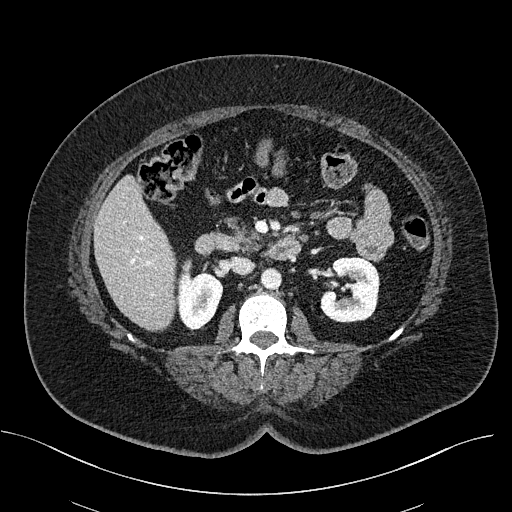
Contrast-enhanced abdominal CT, axial slice 298 of 470 (counted from the lowest slice); tube voltage 100 kVp, convolution kernel I40f; slices 2.00 mm thick, 0.824 mm per pixel.
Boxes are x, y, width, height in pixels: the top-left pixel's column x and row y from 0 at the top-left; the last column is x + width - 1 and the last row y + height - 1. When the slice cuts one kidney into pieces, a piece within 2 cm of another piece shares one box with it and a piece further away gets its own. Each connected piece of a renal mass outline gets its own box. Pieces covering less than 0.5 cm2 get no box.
Boxed on this slice (two kidney boxes), listed by box centre from the image's left to its right: (1) Right kidney, box x 176, y 258, width 48, height 74 (outlined area 2,349 px, about 16.0 cm2). (2) Box x 320, y 257, width 60, height 66: left kidney (outlined area 3,052 px, about 20.7 cm2). No renal mass outline on this slice.